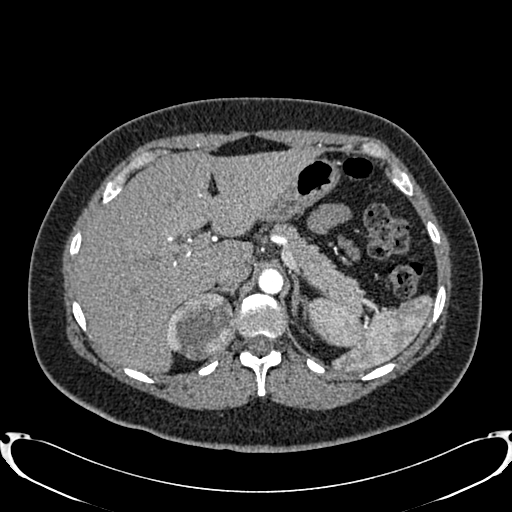
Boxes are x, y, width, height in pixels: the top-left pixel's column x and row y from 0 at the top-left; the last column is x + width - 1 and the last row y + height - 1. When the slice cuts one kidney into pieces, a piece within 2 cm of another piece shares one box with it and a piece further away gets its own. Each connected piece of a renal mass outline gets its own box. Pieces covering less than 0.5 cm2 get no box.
Arterial-phase contrast-enhanced abdominal CT, axial slice 596 of 719 (counted from the lowest slice); 1.00 mm thick, 0.766 mm per pixel. Box x 166, y 291, width 70, height 69: right renal mass (outlined area 3,632 px, about 21.3 cm2); here it is more than 1 cm from any kidney outline, though on another slice the same outlined renal mass lies within 1 cm of the kidney.
Tube voltage 120 kVp; convolution kernel B20f.